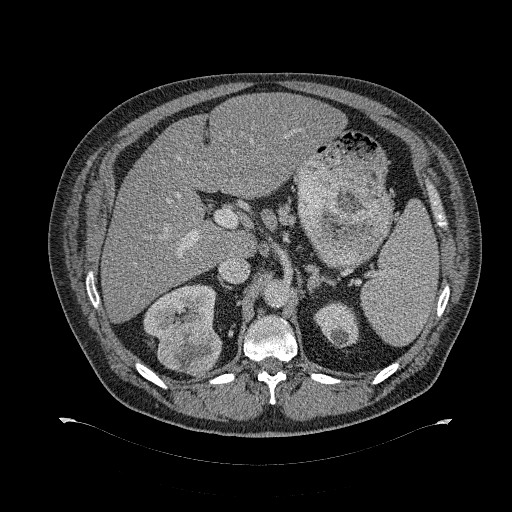
Contrast-enhanced abdominal CT, axial slice 213 of 274 (counted from the lowest slice); tube voltage 120 kVp, convolution kernel B31f; slices 2.00 mm thick, 0.977 mm per pixel.
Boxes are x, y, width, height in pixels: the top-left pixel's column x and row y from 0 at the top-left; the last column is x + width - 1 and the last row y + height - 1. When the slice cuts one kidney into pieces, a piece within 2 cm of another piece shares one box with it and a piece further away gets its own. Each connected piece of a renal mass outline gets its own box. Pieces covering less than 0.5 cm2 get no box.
Three boxes on this slice (two kidney boxes and one renal mass box), listed by box centre from the image's left to its right. (1) Box x 143, y 284, width 73, height 56: right kidney (outlined area 2,576 px, about 24.6 cm2). (2) Right renal mass, box x 157, y 322, width 65, height 54 (outlined area 2,668 px, about 25.4 cm2). (3) Left kidney at x 313, y 301, width 47, height 48 (outlined area 1,544 px, about 14.7 cm2).